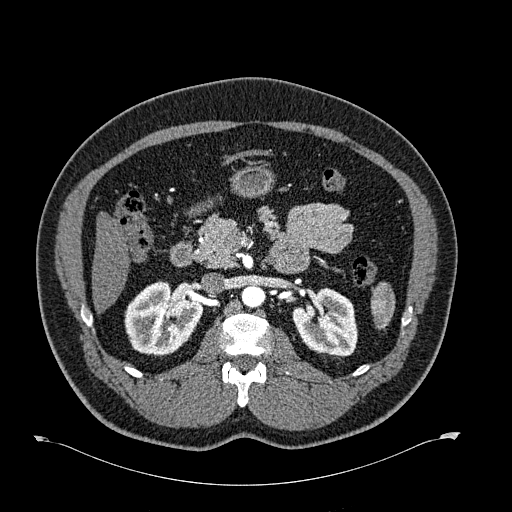
Arterial-phase contrast-enhanced abdominal CT, axial slice 397 of 723 (counted from the lowest slice); tube voltage 120 kVp, convolution kernel B30f; slices 1.00 mm thick, 0.895 mm per pixel.
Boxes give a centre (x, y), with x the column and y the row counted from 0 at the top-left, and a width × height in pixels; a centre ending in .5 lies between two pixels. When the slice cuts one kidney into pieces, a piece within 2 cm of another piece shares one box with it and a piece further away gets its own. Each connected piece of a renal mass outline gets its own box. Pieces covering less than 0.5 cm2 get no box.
Two kidney boxes on this slice; by box centre, from the image's left to its right: (1) Box centre (163.5, 318), 80 × 77 pixels: right kidney (outlined area 4,315 px, about 34.5 cm2). (2) Left kidney, box centre (324.5, 323), 66 × 73 pixels (outlined area 3,388 px, about 27.1 cm2). This slice carries no renal mass outline.